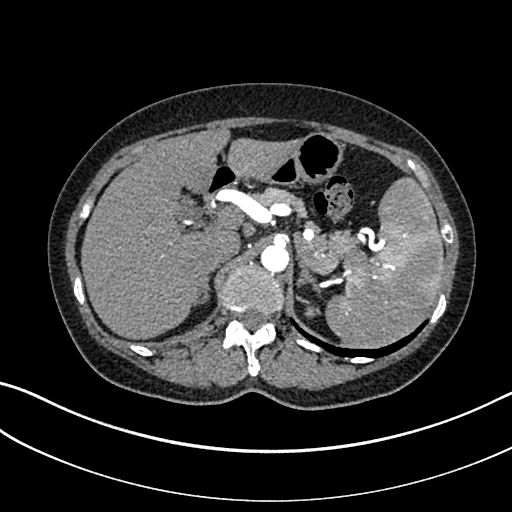
Abdominal CT with intravenous contrast, arterial phase, axial plane, 100 kVp, kernel I30f. Slice 256/325 from the bottom of the scan; thickness 1.00 mm; pixel size 0.703 mm.
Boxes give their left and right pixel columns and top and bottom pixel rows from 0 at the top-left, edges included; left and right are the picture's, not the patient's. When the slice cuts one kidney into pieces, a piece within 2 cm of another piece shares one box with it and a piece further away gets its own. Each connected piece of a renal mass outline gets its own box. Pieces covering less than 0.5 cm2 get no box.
Left kidney, the box with left 305, top 301, right 319, bottom 317 (outlined area 148 px, about 0.7 cm2). This slice carries no renal mass outline.